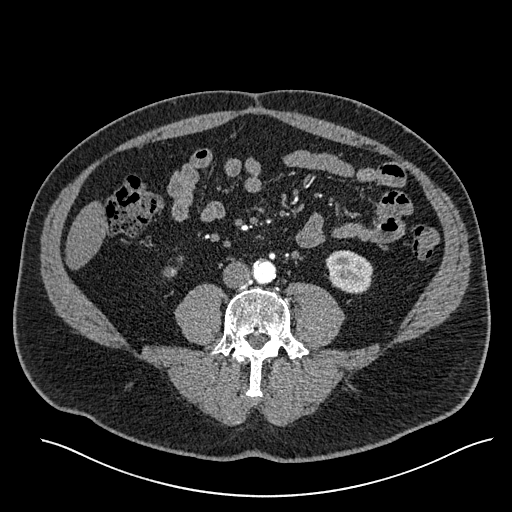
Arterial-phase contrast-enhanced abdominal CT, axial slice 197 of 527 (counted from the lowest slice); tube voltage 120 kVp, convolution kernel I30f; slices 1.00 mm thick, 0.859 mm per pixel.
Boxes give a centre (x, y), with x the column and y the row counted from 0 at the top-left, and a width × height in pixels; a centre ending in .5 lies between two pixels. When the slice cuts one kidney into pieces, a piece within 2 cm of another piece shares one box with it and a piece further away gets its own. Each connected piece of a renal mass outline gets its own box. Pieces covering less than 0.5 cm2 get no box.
Two boxes on this slice (two kidney boxes), listed by box centre from the image's left to its right. (1) Box centre (170, 272), 15 × 13 pixels: right kidney (outlined area 125 px, about 0.9 cm2). (2) Box centre (349, 272), 49 × 45 pixels: left kidney (outlined area 1,630 px, about 12.0 cm2). This slice carries no renal mass outline.